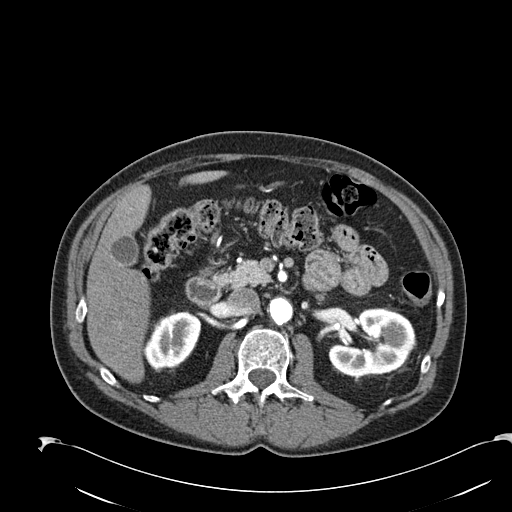
Abdominal CT with intravenous contrast, arterial phase, axial plane, 120 kVp, kernel B30f. Slice 125/274 from the bottom of the scan; thickness 2.00 mm; pixel size 0.809 mm.
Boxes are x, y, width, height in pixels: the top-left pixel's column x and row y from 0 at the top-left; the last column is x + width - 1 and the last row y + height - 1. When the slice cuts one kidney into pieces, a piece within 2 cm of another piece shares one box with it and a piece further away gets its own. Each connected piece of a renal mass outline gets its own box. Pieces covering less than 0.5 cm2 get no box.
Two boxes on this slice (two kidney boxes), listed by box centre from the image's left to its right. (1) Right kidney at x 143, y 311, width 59, height 59 (outlined area 2,404 px, about 15.7 cm2). (2) Left kidney, box x 328, y 308, width 89, height 69 (outlined area 4,318 px, about 28.2 cm2). This slice carries no renal mass outline.